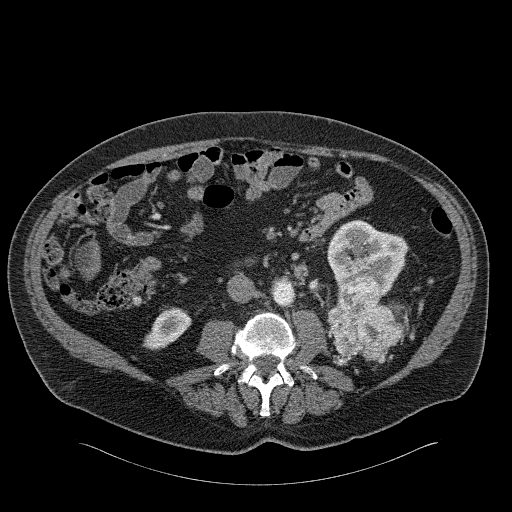
Abdominal CT with intravenous contrast, arterial phase, axial plane, 120 kVp, kernel B31f. Slice 86/326 from the bottom of the scan; thickness 2.00 mm; pixel size 0.963 mm.
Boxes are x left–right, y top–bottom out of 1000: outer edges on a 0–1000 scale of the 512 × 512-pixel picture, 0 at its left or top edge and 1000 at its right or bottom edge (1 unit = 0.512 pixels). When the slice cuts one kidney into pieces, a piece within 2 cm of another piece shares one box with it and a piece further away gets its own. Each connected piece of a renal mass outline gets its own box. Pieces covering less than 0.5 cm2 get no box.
Boxed on this slice (two kidney boxes and one renal mass box), listed by box centre from the image's left to its right: (1) Right kidney, box x 279–375, y 602–684 out of 1000 (outlined area 1,273 px, about 11.8 cm2). (2) Left renal mass at x 643–789, y 539–705 out of 1000 (outlined area 4,480 px, about 41.5 cm2). (3) Left kidney at x 639–797, y 428–578 out of 1000 (outlined area 4,038 px, about 37.4 cm2).